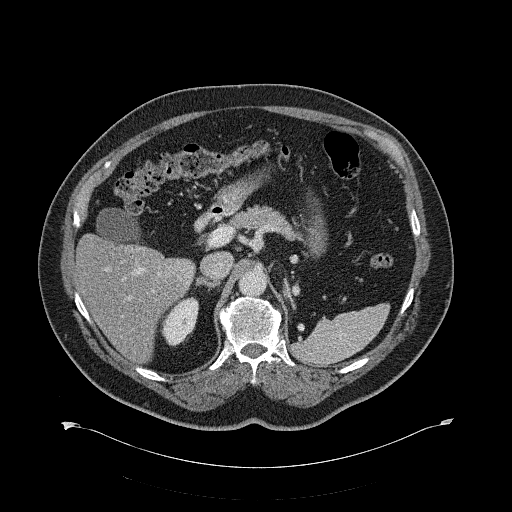
Contrast-enhanced abdominal CT, axial slice 422 of 734 (counted from the lowest slice); tube voltage 120 kVp, convolution kernel B31f; slices 2.00 mm thick, 0.971 mm per pixel.
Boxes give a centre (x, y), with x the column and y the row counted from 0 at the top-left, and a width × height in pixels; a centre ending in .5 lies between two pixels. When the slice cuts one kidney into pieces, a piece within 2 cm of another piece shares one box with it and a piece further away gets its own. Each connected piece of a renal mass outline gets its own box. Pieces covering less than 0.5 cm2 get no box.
Right kidney in a box with centre (179.5, 321.5), 40 × 50 pixels (outlined area 1,298 px, about 12.2 cm2). This slice carries no renal mass outline.